Axial slice 159 of 207 of a contrast-enhanced abdominal CT in the arterial phase (slice 1 is the lowest), 120 kVp, kernel FC18; 2.00 mm slice thickness and 0.741 mm pixels.
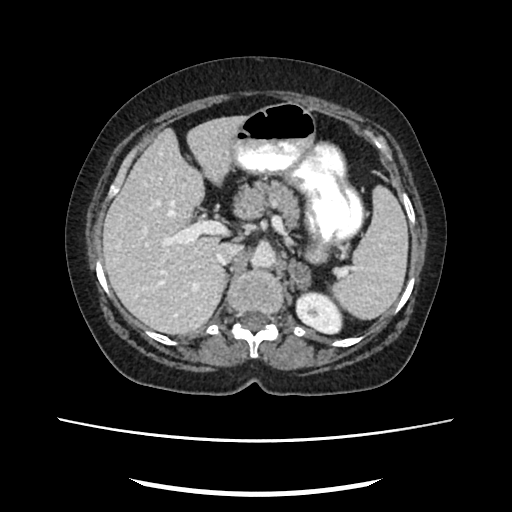
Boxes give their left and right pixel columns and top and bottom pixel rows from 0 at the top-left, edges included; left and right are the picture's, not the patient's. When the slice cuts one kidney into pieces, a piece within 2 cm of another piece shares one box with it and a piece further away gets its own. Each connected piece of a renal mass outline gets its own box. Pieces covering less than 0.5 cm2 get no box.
Left kidney in the box with left 295, top 290, right 343, bottom 334 (outlined area 1,621 px, about 8.9 cm2). No renal mass outline on this slice.